Abdominal CT with intravenous contrast, arterial phase, axial plane, 120 kVp, kernel STANDARD. Slice 70/105 from the bottom of the scan; thickness 5.00 mm; pixel size 0.707 mm.
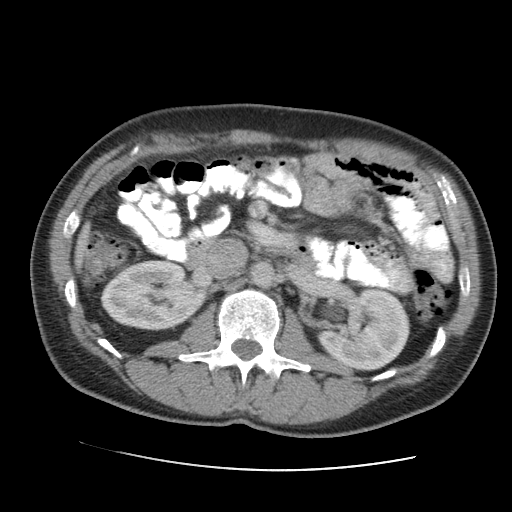
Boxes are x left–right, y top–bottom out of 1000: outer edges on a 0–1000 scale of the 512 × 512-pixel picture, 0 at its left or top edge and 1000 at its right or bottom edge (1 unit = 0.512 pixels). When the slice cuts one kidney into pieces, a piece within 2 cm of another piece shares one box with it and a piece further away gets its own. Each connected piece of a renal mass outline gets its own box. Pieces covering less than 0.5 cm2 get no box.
Two boxes on this slice (two kidney boxes), listed by box centre from the image's left to its right. (1) Right kidney, box x 195–406, y 506–646 out of 1000 (outlined area 5,553 px, about 27.8 cm2). (2) Left kidney, box x 619–803, y 561–725 out of 1000 (outlined area 5,551 px, about 27.7 cm2). No renal mass outline on this slice.